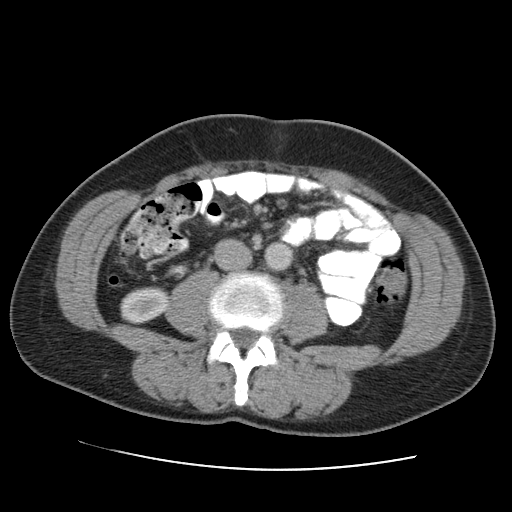
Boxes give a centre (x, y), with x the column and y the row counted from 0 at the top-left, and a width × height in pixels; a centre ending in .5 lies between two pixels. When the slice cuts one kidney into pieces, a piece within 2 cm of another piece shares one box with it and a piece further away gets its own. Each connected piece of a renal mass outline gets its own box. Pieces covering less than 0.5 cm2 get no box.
This is axial slice 58 of 105 (slice 1 is the lowest) of an arterial-phase abdominal CT with contrast; each pixel is 0.707 mm and the slice is 5.00 mm thick. Right kidney in a box with centre (143.5, 305), 48 × 39 pixels (outlined area 1,448 px, about 7.2 cm2). No renal mass outline on this slice.
Acquired at 120 kVp and reconstructed with the STANDARD kernel.